One axial slice (213 of 325, counting up from the lowest) of an arterial-phase abdominal CT acquired with 100 kVp, kernel I30f; each pixel is 0.703 mm and the slice is 1.00 mm thick.
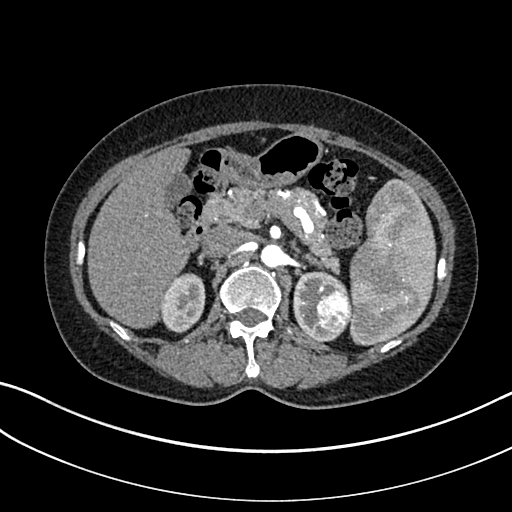
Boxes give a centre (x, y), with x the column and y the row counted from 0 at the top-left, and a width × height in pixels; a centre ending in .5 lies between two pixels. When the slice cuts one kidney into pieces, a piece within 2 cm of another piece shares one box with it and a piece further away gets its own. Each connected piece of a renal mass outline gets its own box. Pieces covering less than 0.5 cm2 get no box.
Three boxes on this slice (two kidney boxes and one renal mass box), listed by box centre from the image's left to its right. (1) Box centre (182, 303), 47 × 61 pixels: right kidney (outlined area 2,099 px, about 10.4 cm2). (2) Left kidney, box centre (322.5, 306), 60 × 73 pixels (outlined area 2,269 px, about 11.2 cm2). (3) Left renal mass, box centre (332.5, 311.5), 34 × 40 pixels (outlined area 1,080 px, about 5.3 cm2).